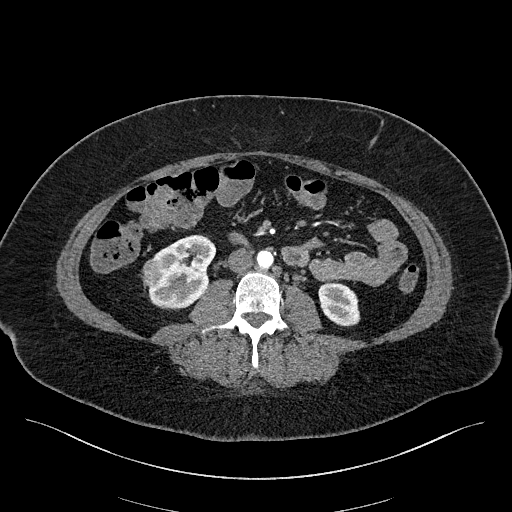
Abdominal CT with intravenous contrast, arterial phase, axial plane, 100 kVp, kernel I40f. Slice 70/270 from the bottom of the scan; thickness 2.00 mm; pixel size 0.855 mm.
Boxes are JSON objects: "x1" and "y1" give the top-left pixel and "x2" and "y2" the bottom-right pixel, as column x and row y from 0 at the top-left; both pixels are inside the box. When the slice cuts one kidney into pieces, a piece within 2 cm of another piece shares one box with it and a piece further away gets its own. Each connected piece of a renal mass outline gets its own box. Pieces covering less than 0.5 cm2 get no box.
Boxed on this slice (two kidney boxes and one renal mass box), listed by box centre from the image's left to its right: (1) Right renal mass, box {"x1": 143, "y1": 258, "x2": 161, "y2": 286} (outlined area 445 px, about 3.3 cm2). (2) Right kidney at {"x1": 148, "y1": 234, "x2": 216, "y2": 309} (outlined area 3,530 px, about 25.8 cm2). (3) Left kidney, box {"x1": 318, "y1": 282, "x2": 360, "y2": 326} (outlined area 1,451 px, about 10.6 cm2).